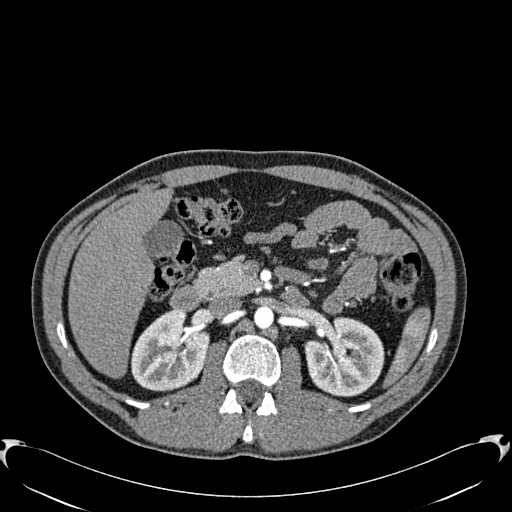
Arterial-phase contrast-enhanced abdominal CT, axial slice 374 of 512 (counted from the lowest slice); tube voltage 120 kVp, convolution kernel B30f; slices 1.00 mm thick, 0.771 mm per pixel.
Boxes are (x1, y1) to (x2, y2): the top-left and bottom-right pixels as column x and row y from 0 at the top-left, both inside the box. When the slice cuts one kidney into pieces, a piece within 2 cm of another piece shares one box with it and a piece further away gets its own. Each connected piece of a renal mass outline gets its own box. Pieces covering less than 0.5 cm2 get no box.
Boxed on this slice (two kidney boxes), listed by box centre from the image's left to its right: (1) Box (131, 309) to (209, 391): right kidney (outlined area 4,744 px, about 28.2 cm2). (2) Box (304, 316) to (384, 396): left kidney (outlined area 4,909 px, about 29.2 cm2). This slice carries no renal mass outline.